Abdominal CT with intravenous contrast, arterial phase, axial plane, 120 kVp, kernel I30f. Slice 255/527 from the bottom of the scan; thickness 1.00 mm; pixel size 0.859 mm.
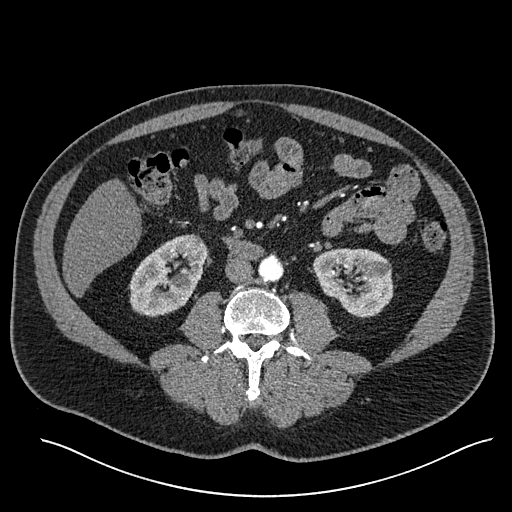
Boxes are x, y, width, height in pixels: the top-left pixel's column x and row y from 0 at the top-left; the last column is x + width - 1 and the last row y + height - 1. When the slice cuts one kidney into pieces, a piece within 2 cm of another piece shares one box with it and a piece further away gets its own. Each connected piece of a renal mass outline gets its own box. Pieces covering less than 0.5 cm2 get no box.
Two boxes on this slice (two kidney boxes), listed by box centre from the image's left to its right. (1) Right kidney at x 129, y 234, width 79, height 84 (outlined area 4,441 px, about 32.8 cm2). (2) Left kidney, box x 313, y 248, width 81, height 70 (outlined area 4,207 px, about 31.1 cm2). No renal mass is outlined on this slice.